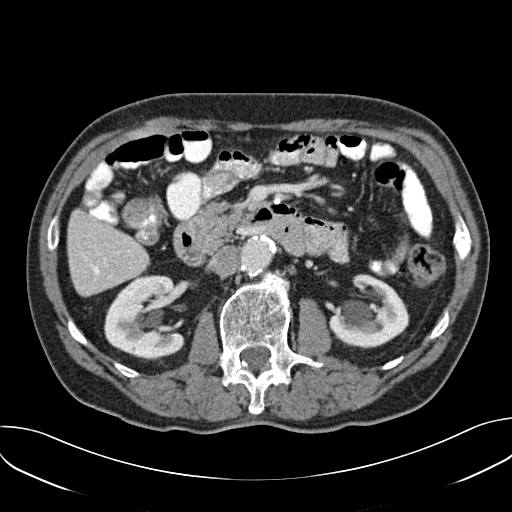
Arterial-phase contrast-enhanced abdominal CT, axial slice 101 of 157 (counted from the lowest slice); tube voltage 120 kVp, convolution kernel B30f; slices 3.00 mm thick, 0.742 mm per pixel.
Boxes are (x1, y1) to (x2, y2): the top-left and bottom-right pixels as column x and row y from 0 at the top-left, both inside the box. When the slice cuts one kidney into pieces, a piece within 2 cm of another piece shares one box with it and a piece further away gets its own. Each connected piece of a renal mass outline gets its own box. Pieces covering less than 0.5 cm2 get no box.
Two boxes on this slice (two kidney boxes), listed by box centre from the image's left to its right. (1) Box (104, 275) to (185, 360): right kidney (outlined area 5,060 px, about 27.9 cm2). (2) Box (329, 274) to (408, 348): left kidney (outlined area 4,010 px, about 22.1 cm2). This slice carries no renal mass outline.